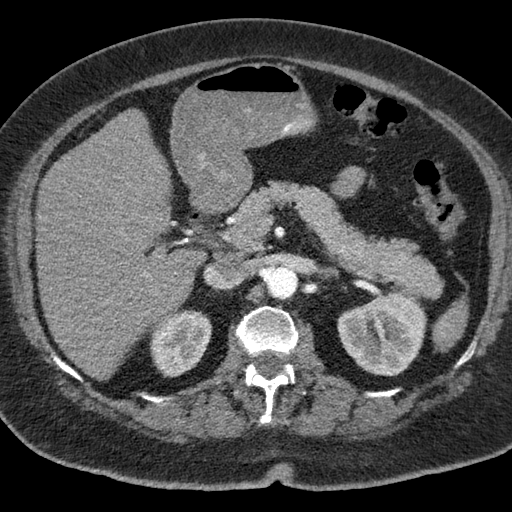
One axial slice (44 of 76, counting up from the lowest) of a contrast-enhanced abdominal CT acquired with 120 kVp, kernel B; each pixel is 0.684 mm and the slice is 3.00 mm thick.
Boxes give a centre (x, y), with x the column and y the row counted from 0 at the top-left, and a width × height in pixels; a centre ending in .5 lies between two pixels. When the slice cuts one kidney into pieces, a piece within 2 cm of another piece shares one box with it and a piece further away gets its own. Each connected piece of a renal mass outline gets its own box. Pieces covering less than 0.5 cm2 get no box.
Two boxes on this slice (two kidney boxes), listed by box centre from the image's left to its right. (1) Right kidney, box centre (180, 343), 65 × 69 pixels (outlined area 3,293 px, about 15.4 cm2). (2) Left kidney, box centre (382, 334.5), 91 × 84 pixels (outlined area 5,613 px, about 26.2 cm2). This slice carries no renal mass outline.